Abdominal CT with intravenous contrast, axial plane, 140 kVp, kernel I41f. Slice 45/69 from the bottom of the scan; thickness 3.00 mm; pixel size 0.736 mm.
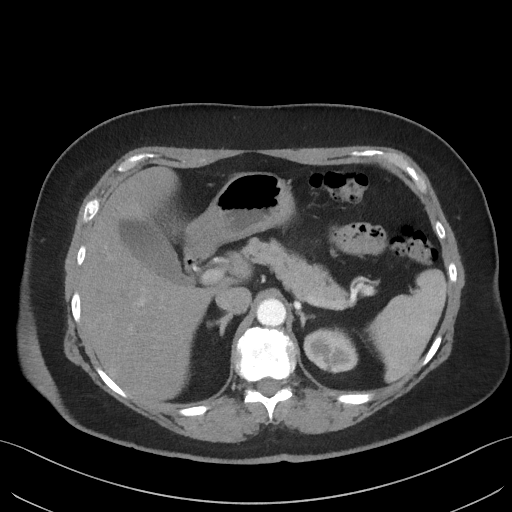
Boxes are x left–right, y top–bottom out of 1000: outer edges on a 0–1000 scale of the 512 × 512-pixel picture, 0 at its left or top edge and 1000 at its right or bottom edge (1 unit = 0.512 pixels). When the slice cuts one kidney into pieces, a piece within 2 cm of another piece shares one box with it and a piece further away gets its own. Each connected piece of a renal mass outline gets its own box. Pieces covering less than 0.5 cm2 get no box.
Left kidney at x 592–701, y 639–729 out of 1000 (outlined area 1,922 px, about 10.4 cm2). This slice carries no renal mass outline.